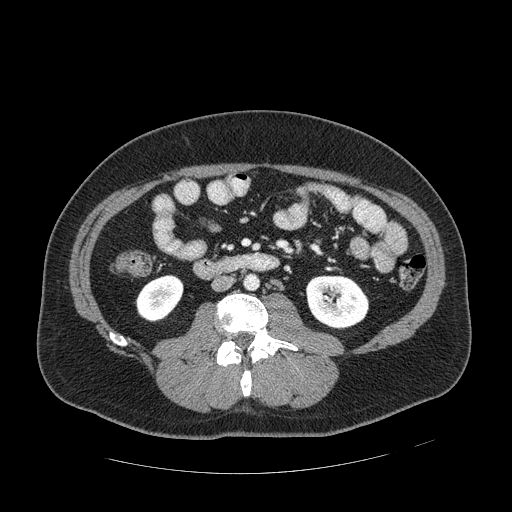
One axial slice (231 of 389, counting up from the lowest) of an arterial-phase abdominal CT acquired with 120 kVp, kernel STANDARD; each pixel is 0.869 mm and the slice is 1.25 mm thick.
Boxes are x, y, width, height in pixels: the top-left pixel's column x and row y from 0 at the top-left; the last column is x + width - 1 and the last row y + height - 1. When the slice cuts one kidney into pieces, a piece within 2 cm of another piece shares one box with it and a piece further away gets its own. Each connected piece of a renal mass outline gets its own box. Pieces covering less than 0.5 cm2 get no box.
Two kidney boxes on this slice; by box centre, from the image's left to its right: (1) Box x 135, y 274, width 49, height 49: right kidney (outlined area 1,681 px, about 12.7 cm2). (2) Left kidney, box x 305, y 275, width 65, height 54 (outlined area 2,733 px, about 20.6 cm2). No renal mass outline on this slice.